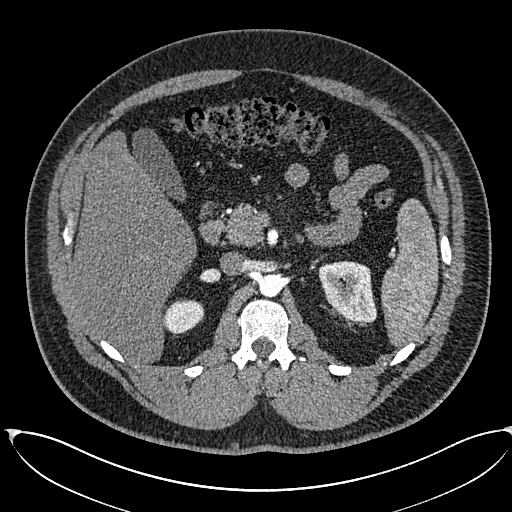
Axial slice 400 of 673 of a contrast-enhanced abdominal CT in the arterial phase (slice 1 is the lowest), 120 kVp, kernel I30f; 1.00 mm slice thickness and 0.855 mm pixels.
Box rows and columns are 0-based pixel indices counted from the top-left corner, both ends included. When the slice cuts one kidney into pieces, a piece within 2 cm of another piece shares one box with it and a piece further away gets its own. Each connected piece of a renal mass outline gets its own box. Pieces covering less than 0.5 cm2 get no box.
Two kidney boxes on this slice; by box centre, from the image's left to its right: (1) Right kidney at rows 299–334, columns 163–203 (outlined area 1,113 px, about 8.1 cm2). (2) Left kidney, box rows 260–323, columns 318–376 (outlined area 2,696 px, about 19.7 cm2).